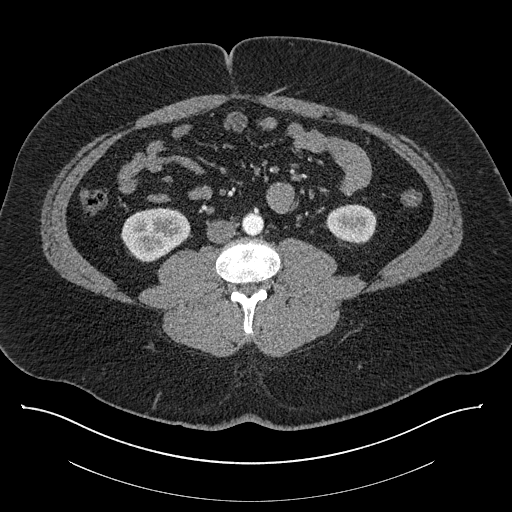
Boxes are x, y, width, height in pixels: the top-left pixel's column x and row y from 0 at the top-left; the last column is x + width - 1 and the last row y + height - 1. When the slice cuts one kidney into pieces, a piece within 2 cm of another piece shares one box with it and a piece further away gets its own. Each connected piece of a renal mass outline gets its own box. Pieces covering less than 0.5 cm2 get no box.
Contrast-enhanced abdominal CT, axial slice 369 of 787 (counted from the lowest slice); 1.00 mm thick, 0.910 mm per pixel. Two kidney boxes on this slice; by box centre, from the image's left to its right: (1) Right kidney, box x 120, y 207, width 71, height 55 (outlined area 2,829 px, about 23.4 cm2). (2) Left kidney, box x 326, y 204, width 51, height 41 (outlined area 1,606 px, about 13.3 cm2). No renal mass is outlined on this slice.
Tube voltage 140 kVp; convolution kernel I30f.